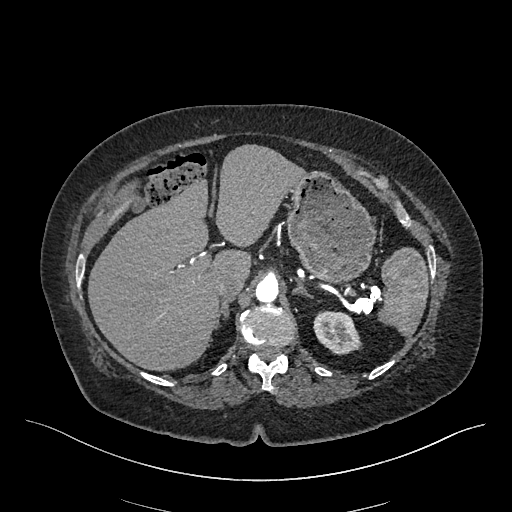
One axial slice (349 of 548, counting up from the lowest) of an arterial-phase abdominal CT acquired with 120 kVp, kernel I26f; each pixel is 0.852 mm and the slice is 1.00 mm thick.
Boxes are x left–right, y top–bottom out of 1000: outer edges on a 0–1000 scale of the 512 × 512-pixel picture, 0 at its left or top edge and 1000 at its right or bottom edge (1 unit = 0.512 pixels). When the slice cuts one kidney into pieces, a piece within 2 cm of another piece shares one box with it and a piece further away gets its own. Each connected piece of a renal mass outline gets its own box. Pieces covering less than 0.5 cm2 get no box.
Left kidney, box x 611–709, y 607–693 out of 1000 (outlined area 1,601 px, about 11.6 cm2). No renal mass outline on this slice.